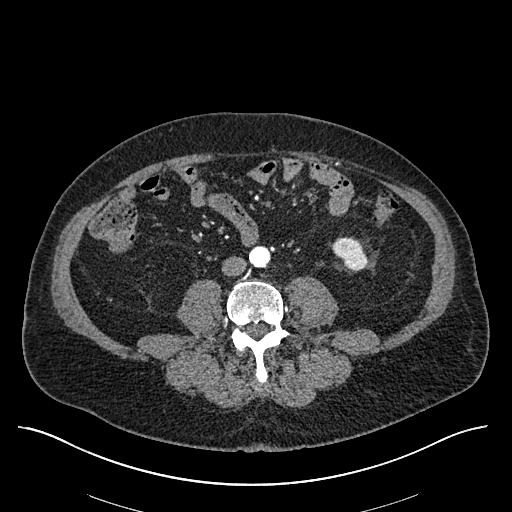
One axial slice (208 of 670, counting up from the lowest) of an arterial-phase abdominal CT acquired with 120 kVp, kernel I30f; each pixel is 0.861 mm and the slice is 1.00 mm thick.
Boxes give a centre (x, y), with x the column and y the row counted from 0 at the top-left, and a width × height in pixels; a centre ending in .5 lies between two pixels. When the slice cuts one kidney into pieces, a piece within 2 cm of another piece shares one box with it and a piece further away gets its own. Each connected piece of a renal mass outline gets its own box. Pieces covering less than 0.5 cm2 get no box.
Box centre (349.5, 254), 38 × 35 pixels: left kidney (outlined area 856 px, about 6.4 cm2). No renal mass is outlined on this slice.